Abdominal CT with intravenous contrast, arterial phase, axial plane, 120 kVp, kernel B30f. Slice 28/66 from the bottom of the scan; thickness 5.00 mm; pixel size 0.678 mm.
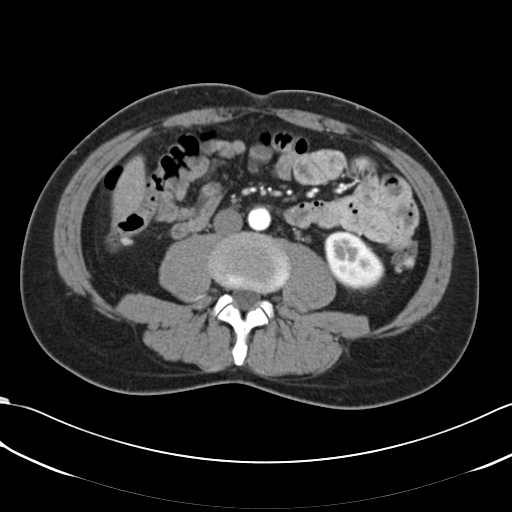
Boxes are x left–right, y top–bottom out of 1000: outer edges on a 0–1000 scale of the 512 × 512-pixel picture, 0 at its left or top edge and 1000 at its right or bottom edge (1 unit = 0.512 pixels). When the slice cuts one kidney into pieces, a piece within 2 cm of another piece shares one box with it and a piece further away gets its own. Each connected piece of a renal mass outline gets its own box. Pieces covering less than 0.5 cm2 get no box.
Left kidney, box x 633–752, y 451–570 out of 1000 (outlined area 2,659 px, about 12.2 cm2). No renal mass outline on this slice.